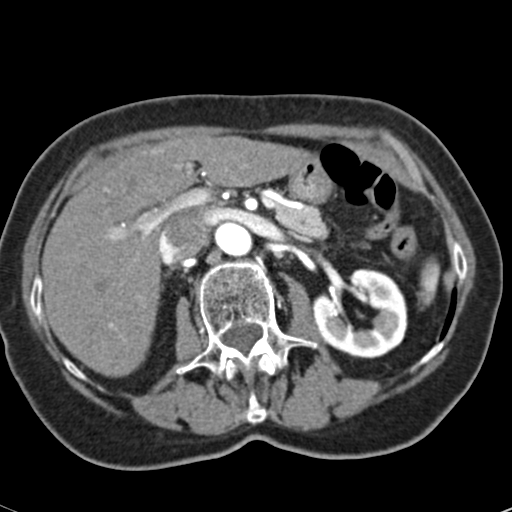
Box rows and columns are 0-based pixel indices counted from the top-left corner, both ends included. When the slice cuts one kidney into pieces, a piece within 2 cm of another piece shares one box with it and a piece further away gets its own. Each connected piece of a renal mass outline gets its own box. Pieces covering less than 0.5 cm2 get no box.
Arterial-phase contrast-enhanced abdominal CT, axial slice 37 of 53 (counted from the lowest slice); 3.00 mm thick, 0.547 mm per pixel. Box rows 268–358, columns 311–407: left kidney (outlined area 5,787 px, about 17.3 cm2). This slice carries no renal mass outline.
Acquired at 120 kVp and reconstructed with the B30f kernel.